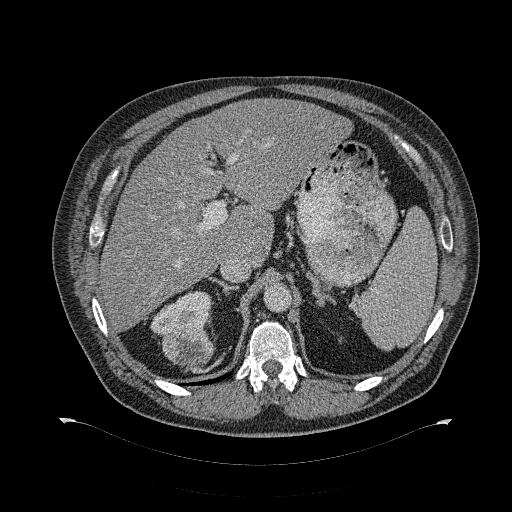
Contrast-enhanced abdominal CT, axial slice 220 of 274 (counted from the lowest slice); tube voltage 120 kVp, convolution kernel B31f; slices 2.00 mm thick, 0.977 mm per pixel.
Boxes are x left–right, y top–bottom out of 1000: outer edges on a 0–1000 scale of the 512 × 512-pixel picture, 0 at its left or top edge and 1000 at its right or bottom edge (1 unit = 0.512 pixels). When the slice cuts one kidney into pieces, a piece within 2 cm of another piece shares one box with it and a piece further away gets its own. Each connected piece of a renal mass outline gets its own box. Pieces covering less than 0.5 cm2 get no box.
Two boxes on this slice (one kidney box and one renal mass box), listed by box centre from the image's left to its right. (1) Right kidney at x 293–416, y 568–658 out of 1000 (outlined area 1,825 px, about 17.4 cm2). (2) Right renal mass, box x 316–420, y 641–715 out of 1000 (outlined area 1,574 px, about 15.0 cm2).